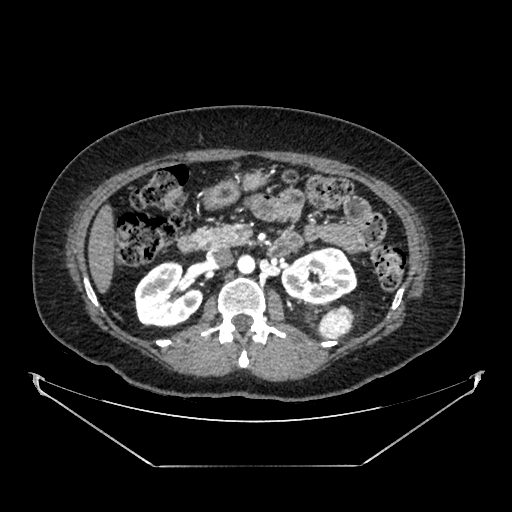
Abdominal CT with intravenous contrast, arterial phase, axial plane, 100 kVp, kernel SOFT. Slice 233/383 from the bottom of the scan; thickness 1.25 mm; pixel size 0.898 mm.
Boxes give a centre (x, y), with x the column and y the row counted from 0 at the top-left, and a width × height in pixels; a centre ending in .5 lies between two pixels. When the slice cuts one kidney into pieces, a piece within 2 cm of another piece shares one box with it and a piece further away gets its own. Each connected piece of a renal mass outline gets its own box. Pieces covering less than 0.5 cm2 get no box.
Three boxes on this slice (two kidney boxes and one renal mass box), listed by box centre from the image's left to its right. (1) Right kidney, box centre (168.5, 294), 70 × 67 pixels (outlined area 3,479 px, about 28.1 cm2). (2) Box centre (319, 275.5), 77 × 58 pixels: left kidney (outlined area 3,257 px, about 26.3 cm2). (3) Box centre (337.5, 322), 36 × 33 pixels: left renal mass (outlined area 895 px, about 7.2 cm2).